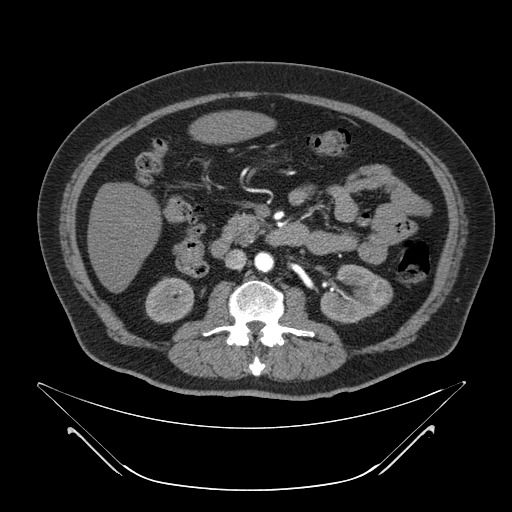
Contrast-enhanced abdominal CT, axial slice 25 of 64 (counted from the lowest slice); tube voltage 120 kVp, convolution kernel B; slices 4.00 mm thick, 0.977 mm per pixel.
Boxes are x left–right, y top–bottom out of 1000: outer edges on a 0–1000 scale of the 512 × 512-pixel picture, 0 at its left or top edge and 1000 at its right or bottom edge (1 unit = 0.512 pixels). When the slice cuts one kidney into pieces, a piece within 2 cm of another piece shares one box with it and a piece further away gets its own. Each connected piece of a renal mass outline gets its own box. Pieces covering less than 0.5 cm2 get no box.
Boxed on this slice (two kidney boxes and one renal mass box), listed by box centre from the image's left to its right: (1) Right kidney, box x 283–381, y 541–633 out of 1000 (outlined area 1,796 px, about 17.1 cm2). (2) Box x 625–748, y 516–633 out of 1000: left kidney (outlined area 2,496 px, about 23.8 cm2). (3) Left renal mass, box x 725–768, y 541–602 out of 1000 (outlined area 515 px, about 4.9 cm2).